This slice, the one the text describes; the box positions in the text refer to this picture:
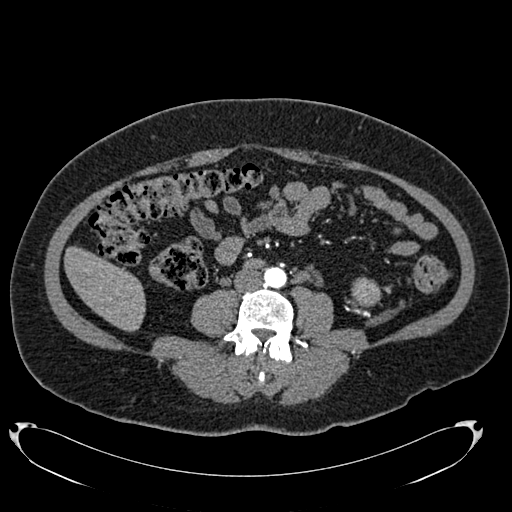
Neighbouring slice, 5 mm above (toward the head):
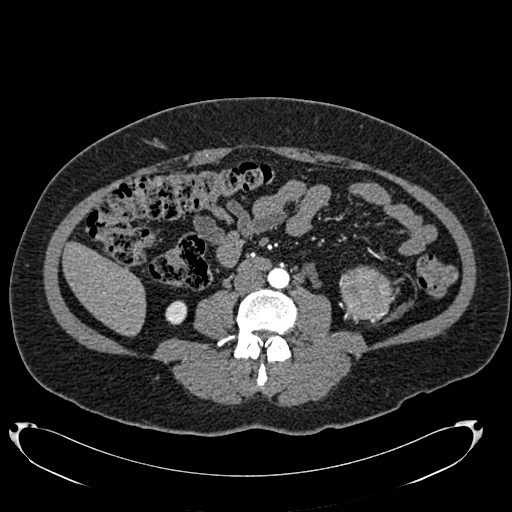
Arterial-phase contrast-enhanced abdominal CT, axial slice 309 of 634 (counted from the lowest slice); tube voltage 120 kVp, convolution kernel B20f; slices 1.00 mm thick, 0.838 mm per pixel.
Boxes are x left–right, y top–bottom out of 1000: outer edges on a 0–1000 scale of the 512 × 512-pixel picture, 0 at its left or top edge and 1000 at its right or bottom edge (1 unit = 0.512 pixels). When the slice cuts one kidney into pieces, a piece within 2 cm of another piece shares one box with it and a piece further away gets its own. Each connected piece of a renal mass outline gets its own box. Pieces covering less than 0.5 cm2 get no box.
Box x 686–746, y 541–602 out of 1000: left renal mass (outlined area 710 px, about 5.0 cm2); no kidney is outlined on this slice, but the same outlined renal mass comes within 1 cm of the kidney on another slice. This slice lies near the end of the left renal mass toward the feet; the slice 5 mm above it is shown too, and the boxes mark positions on this slice only.